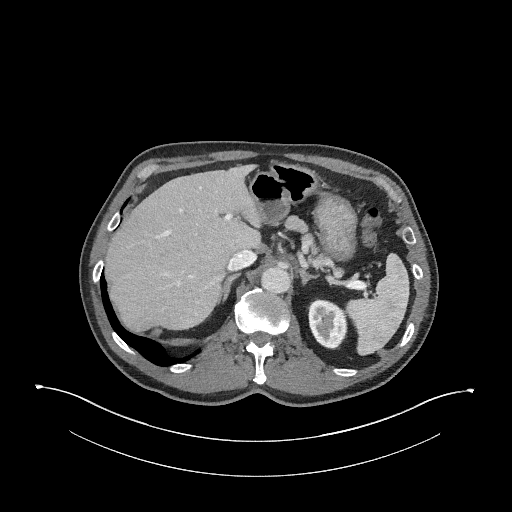
Axial slice 182 of 345 of a contrast-enhanced abdominal CT in the arterial phase (slice 1 is the lowest), 120 kVp, kernel I31f; 2.00 mm slice thickness and 0.977 mm pixels.
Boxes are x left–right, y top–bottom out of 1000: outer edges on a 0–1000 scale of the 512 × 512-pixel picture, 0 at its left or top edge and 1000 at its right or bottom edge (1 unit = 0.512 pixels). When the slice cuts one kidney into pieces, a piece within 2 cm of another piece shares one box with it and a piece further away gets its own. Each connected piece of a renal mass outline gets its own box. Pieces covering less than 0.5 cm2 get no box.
Left kidney at x 600–680, y 582–684 out of 1000 (outlined area 1,581 px, about 15.1 cm2). No renal mass outline on this slice.